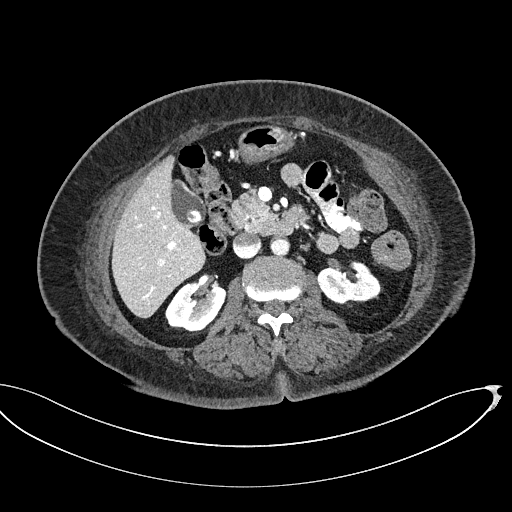
One axial slice (294 of 439, counting up from the lowest) of a contrast-enhanced abdominal CT acquired with 100 kVp, kernel I40f; each pixel is 0.850 mm and the slice is 2.00 mm thick.
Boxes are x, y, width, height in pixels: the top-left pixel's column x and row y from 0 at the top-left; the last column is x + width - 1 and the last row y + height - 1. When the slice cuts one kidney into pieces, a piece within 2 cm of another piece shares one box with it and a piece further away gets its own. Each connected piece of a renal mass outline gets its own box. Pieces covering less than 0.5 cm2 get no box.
Two boxes on this slice (two kidney boxes), listed by box centre from the image's left to its right. (1) Box x 165, y 282, width 62, height 50: right kidney (outlined area 2,244 px, about 16.2 cm2). (2) Left kidney at x 318, y 261, width 64, height 46 (outlined area 2,036 px, about 14.7 cm2). No renal mass is outlined on this slice.